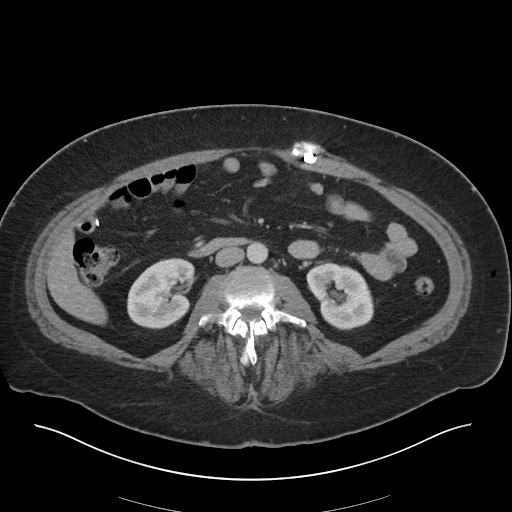
Axial slice 11 of 36 of a contrast-enhanced abdominal CT in the arterial phase (slice 1 is the lowest), 140 kVp, kernel I30f; 5.00 mm slice thickness and 0.906 mm pixels.
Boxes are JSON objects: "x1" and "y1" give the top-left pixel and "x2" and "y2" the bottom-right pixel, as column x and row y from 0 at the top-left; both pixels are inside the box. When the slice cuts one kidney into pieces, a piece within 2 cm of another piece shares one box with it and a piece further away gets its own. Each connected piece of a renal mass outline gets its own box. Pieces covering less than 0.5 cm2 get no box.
Two boxes on this slice (two kidney boxes), listed by box centre from the image's left to its right. (1) Box {"x1": 127, "y1": 258, "x2": 196, "y2": 329}: right kidney (outlined area 3,722 px, about 30.6 cm2). (2) Left kidney, box {"x1": 306, "y1": 262, "x2": 373, "y2": 330} (outlined area 3,369 px, about 27.7 cm2). No renal mass outline on this slice.